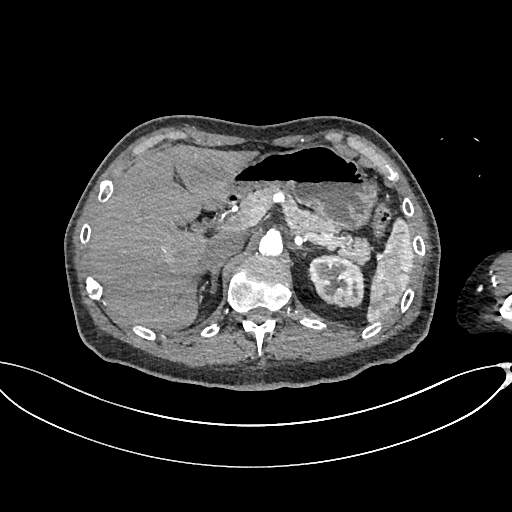
Abdominal CT with intravenous contrast, arterial phase, axial plane, 100 kVp, kernel I26f. Slice 483/665 from the bottom of the scan; thickness 1.00 mm; pixel size 0.828 mm.
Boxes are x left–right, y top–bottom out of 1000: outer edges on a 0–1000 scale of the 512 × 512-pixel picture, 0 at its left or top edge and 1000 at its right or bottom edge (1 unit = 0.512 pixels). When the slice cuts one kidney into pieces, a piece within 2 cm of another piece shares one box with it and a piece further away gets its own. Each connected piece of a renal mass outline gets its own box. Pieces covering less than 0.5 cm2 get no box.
Left kidney at x 600–715, y 496–602 out of 1000 (outlined area 2,377 px, about 16.3 cm2). This slice carries no renal mass outline.